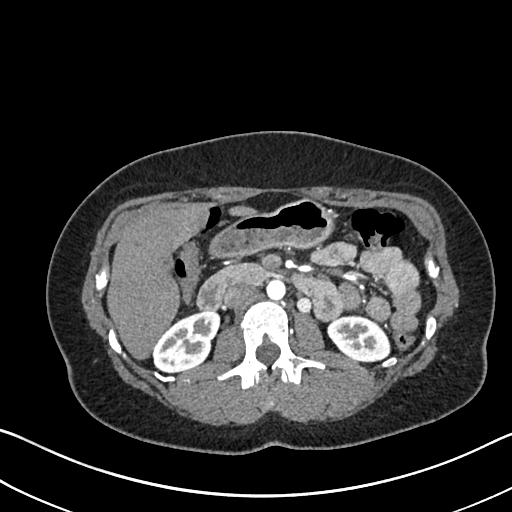
Axial slice 401 of 612 of a contrast-enhanced abdominal CT in the arterial phase (slice 1 is the lowest), 120 kVp, kernel I30f; 1.00 mm slice thickness and 0.703 mm pixels.
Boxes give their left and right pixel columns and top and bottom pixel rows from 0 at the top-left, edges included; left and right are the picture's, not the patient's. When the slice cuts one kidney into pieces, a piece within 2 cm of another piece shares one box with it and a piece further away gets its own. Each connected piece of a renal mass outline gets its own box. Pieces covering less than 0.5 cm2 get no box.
Two kidney boxes on this slice; by box centre, from the image's left to its right: (1) Right kidney, the box with left 153, top 310, right 219, bottom 372 (outlined area 2,834 px, about 14.0 cm2). (2) Left kidney in the box with left 327, top 315, right 390, bottom 362 (outlined area 2,239 px, about 11.1 cm2). No renal mass is outlined on this slice.